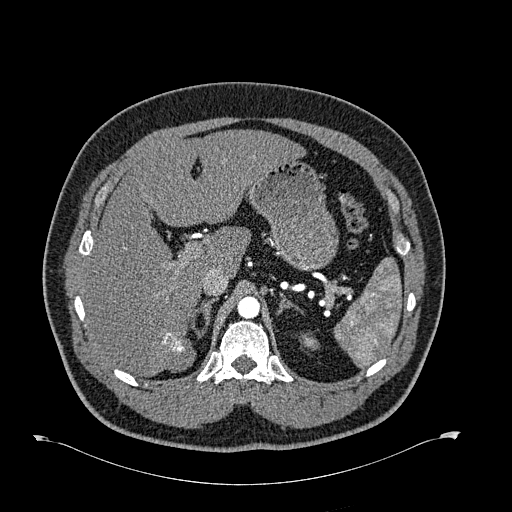
One axial slice (497 of 723, counting up from the lowest) of an arterial-phase abdominal CT acquired with 120 kVp, kernel B30f; each pixel is 0.895 mm and the slice is 1.00 mm thick.
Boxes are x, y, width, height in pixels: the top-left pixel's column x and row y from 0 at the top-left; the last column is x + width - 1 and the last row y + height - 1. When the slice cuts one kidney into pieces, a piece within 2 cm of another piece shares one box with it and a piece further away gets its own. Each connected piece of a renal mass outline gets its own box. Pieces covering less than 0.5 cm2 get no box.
Left kidney, box x 299, y 332, width 21, height 19 (outlined area 250 px, about 2.0 cm2). This slice carries no renal mass outline.